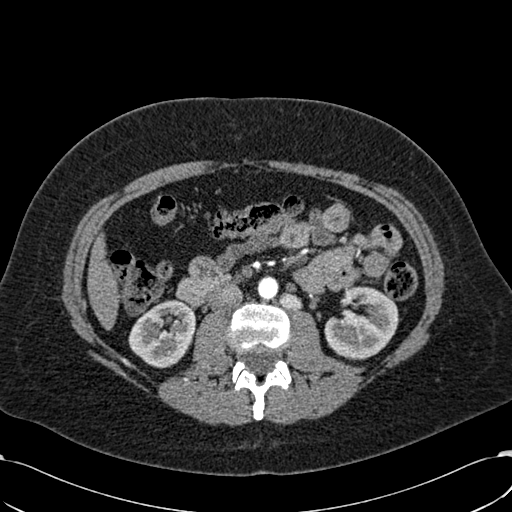
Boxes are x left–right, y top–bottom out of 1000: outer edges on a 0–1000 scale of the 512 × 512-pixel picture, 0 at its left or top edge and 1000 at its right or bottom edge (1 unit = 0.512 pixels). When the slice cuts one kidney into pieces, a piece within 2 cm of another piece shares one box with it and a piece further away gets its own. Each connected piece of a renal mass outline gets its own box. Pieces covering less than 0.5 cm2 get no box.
This is axial slice 320 of 532 (slice 1 is the lowest) of an arterial-phase abdominal CT with contrast; each pixel is 0.713 mm and the slice is 1.00 mm thick. Two boxes on this slice (two kidney boxes), listed by box centre from the image's left to its right. (1) Right kidney at x 250–383, y 584–721 out of 1000 (outlined area 3,381 px, about 17.2 cm2). (2) Left kidney at x 633–779, y 559–705 out of 1000 (outlined area 3,963 px, about 20.1 cm2). No renal mass is outlined on this slice.
Acquired at 120 kVp and reconstructed with the B30f kernel.